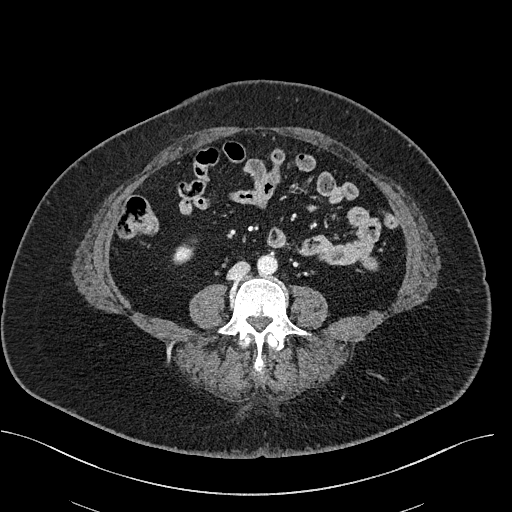
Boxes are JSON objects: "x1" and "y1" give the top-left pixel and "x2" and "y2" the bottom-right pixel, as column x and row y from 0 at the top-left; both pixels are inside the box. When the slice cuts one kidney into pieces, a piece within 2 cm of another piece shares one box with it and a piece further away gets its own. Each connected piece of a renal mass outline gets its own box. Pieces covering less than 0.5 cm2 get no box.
Slice 237/470 of a contrast-enhanced abdominal CT, counting up from the lowest; pixel size 0.824 mm, slice thickness 2.00 mm. Right kidney, box {"x1": 172, "y1": 243, "x2": 194, "y2": 263} (outlined area 327 px, about 2.2 cm2). No renal mass outline on this slice.
Acquired at 100 kVp and reconstructed with the I40f kernel.